Arterial-phase contrast-enhanced abdominal CT, axial slice 176 of 349 (counted from the lowest slice); tube voltage 120 kVp, convolution kernel STANDARD; slices 1.25 mm thick, 0.742 mm per pixel.
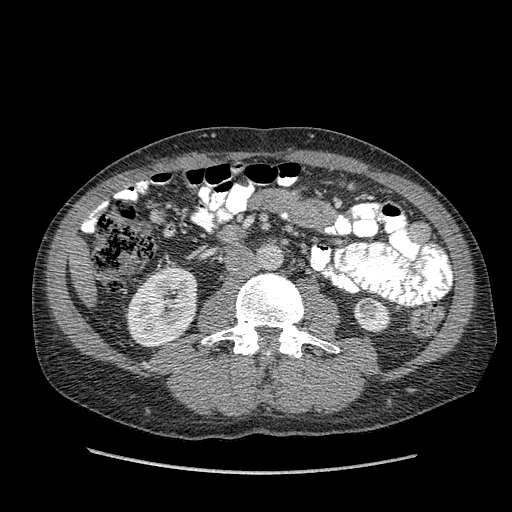
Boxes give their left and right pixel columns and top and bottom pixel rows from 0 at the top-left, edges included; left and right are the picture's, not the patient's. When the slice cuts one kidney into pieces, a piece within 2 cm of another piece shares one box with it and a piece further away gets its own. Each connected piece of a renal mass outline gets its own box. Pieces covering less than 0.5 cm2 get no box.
Boxed on this slice (two kidney boxes and one renal mass box), listed by box centre from the image's left to its right: (1) Right kidney in the box with left 126, top 265, right 197, bottom 348 (outlined area 4,531 px, about 25.0 cm2). (2) Left renal mass, the box with left 355, top 297, right 378, bottom 318 (outlined area 418 px, about 2.3 cm2). (3) Left kidney, the box with left 353, top 296, right 391, bottom 332 (outlined area 670 px, about 3.7 cm2).